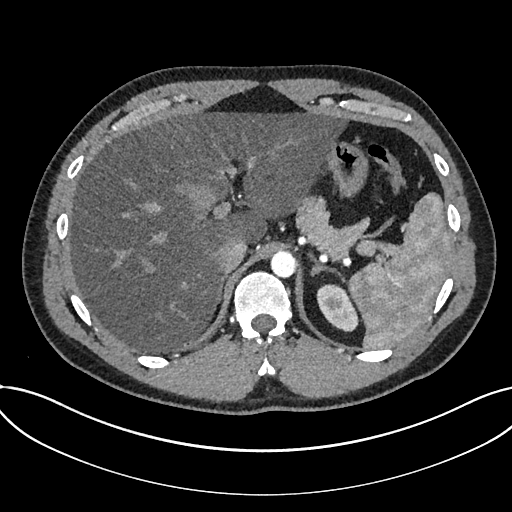
Axial slice 577 of 735 of a contrast-enhanced abdominal CT in the arterial phase (slice 1 is the lowest), 120 kVp, kernel I30f; 1.00 mm slice thickness and 0.789 mm pixels.
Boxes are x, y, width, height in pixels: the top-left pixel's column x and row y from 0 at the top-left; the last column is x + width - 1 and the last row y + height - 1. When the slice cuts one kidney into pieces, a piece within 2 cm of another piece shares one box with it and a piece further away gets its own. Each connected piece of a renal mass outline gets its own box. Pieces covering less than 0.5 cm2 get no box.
Kidney at x 316, y 284, width 43, height 49 (outlined area 1,400 px, about 8.7 cm2). No renal mass outline on this slice.